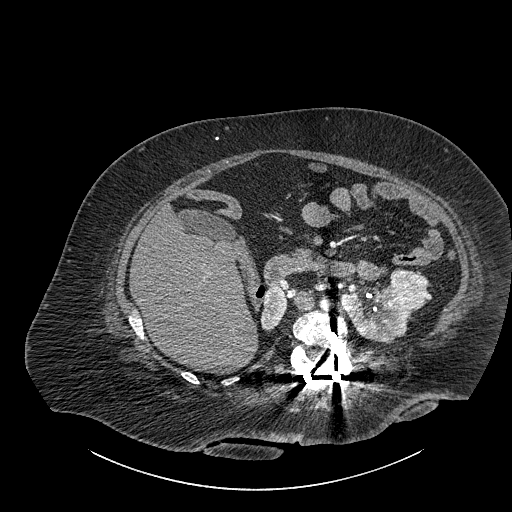
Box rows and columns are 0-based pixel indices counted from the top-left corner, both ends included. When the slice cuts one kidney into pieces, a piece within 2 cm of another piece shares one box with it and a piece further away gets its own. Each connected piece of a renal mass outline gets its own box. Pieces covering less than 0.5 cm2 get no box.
Contrast-enhanced abdominal CT, axial slice 548 of 834 (counted from the lowest slice); 1.00 mm thick, 0.977 mm per pixel. Three boxes on this slice (two kidney boxes and one renal mass box), listed by box centre from the image's left to its right. (1) Box rows 285–331, columns 260–287: right part of the midline-crossing kidney (outlined area 901 px, about 8.6 cm2). (2) Left part of the midline-crossing kidney at rows 285–343, columns 341–412 (outlined area 2,603 px, about 24.8 cm2). (3) Box rows 268–309, columns 390–427: renal mass (outlined area 1,262 px, about 12.0 cm2).
Scan settings: 140 kVp, I30f reconstruction kernel.